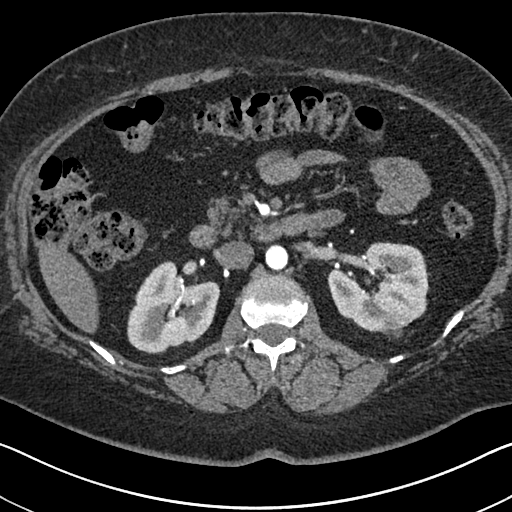
One axial slice (415 of 591, counting up from the lowest) of an arterial-phase abdominal CT acquired with 140 kVp, kernel I30f; each pixel is 0.703 mm and the slice is 1.00 mm thick.
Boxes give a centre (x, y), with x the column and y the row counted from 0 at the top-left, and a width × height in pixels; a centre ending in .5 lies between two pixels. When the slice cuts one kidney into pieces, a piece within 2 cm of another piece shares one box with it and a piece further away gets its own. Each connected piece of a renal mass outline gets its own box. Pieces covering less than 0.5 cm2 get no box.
Boxed on this slice (two kidney boxes), listed by box centre from the image's left to its right: (1) Box centre (173.5, 306.5), 94 × 94 pixels: right kidney (outlined area 6,050 px, about 29.9 cm2). (2) Left kidney, box centre (378.5, 288.5), 104 × 94 pixels (outlined area 6,792 px, about 33.6 cm2).